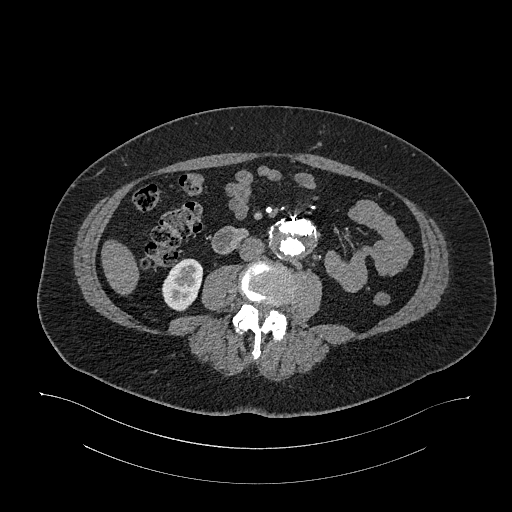
Abdominal CT with intravenous contrast, arterial phase, axial plane, 120 kVp, kernel I26f. Slice 551/987 from the bottom of the scan; thickness 1.00 mm; pixel size 0.977 mm.
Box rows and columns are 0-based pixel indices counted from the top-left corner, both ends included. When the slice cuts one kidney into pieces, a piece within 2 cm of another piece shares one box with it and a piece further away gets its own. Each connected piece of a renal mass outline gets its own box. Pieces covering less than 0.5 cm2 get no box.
Right kidney, box rows 258–311, columns 162–203 (outlined area 1,619 px, about 15.4 cm2). No renal mass outline on this slice.